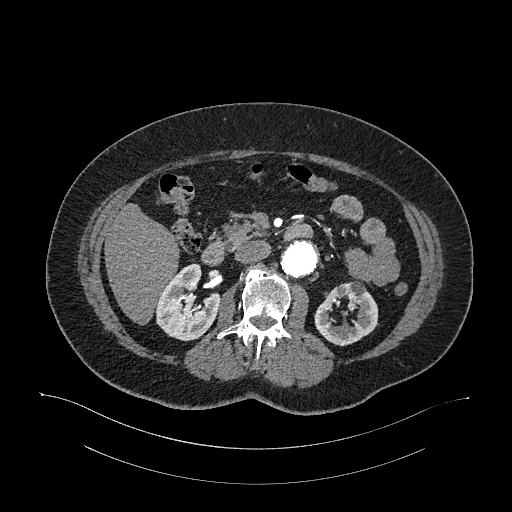
Axial slice 648 of 987 of a contrast-enhanced abdominal CT in the arterial phase (slice 1 is the lowest), 120 kVp, kernel I26f; 1.00 mm slice thickness and 0.977 mm pixels.
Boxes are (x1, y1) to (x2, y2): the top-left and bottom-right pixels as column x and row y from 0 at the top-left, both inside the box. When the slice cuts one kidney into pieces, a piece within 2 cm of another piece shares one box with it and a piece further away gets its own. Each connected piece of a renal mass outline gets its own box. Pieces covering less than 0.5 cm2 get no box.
Boxed on this slice (two kidney boxes), listed by box centre from the image's left to its right: (1) Right kidney from (155, 263) to (218, 341) (outlined area 3,389 px, about 32.3 cm2). (2) Left kidney, box (314, 280) to (378, 346) (outlined area 2,744 px, about 26.2 cm2). No renal mass is outlined on this slice.